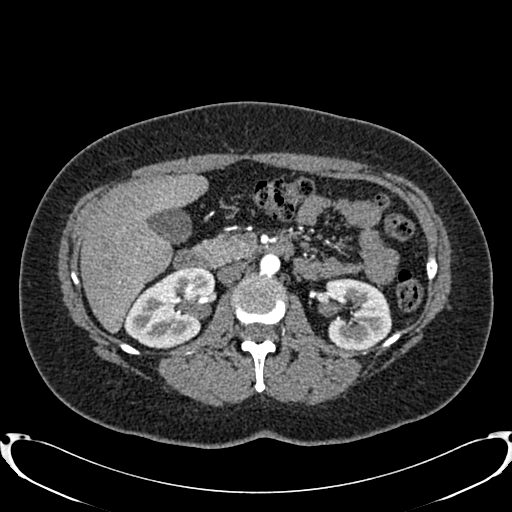
Abdominal CT with intravenous contrast, arterial phase, axial plane, 120 kVp, kernel B20f. Slice 473/719 from the bottom of the scan; thickness 1.00 mm; pixel size 0.766 mm.
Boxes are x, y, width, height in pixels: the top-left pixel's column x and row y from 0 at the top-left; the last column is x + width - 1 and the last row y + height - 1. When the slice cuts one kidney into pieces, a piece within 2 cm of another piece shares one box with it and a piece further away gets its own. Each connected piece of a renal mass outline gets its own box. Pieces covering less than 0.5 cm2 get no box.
Two kidney boxes on this slice; by box centre, from the image's left to its right: (1) Box x 123, y 268, width 93, height 82: right kidney (outlined area 5,195 px, about 30.5 cm2). (2) Left kidney at x 325, y 278, width 67, height 72 (outlined area 3,818 px, about 22.4 cm2). No renal mass outline on this slice.